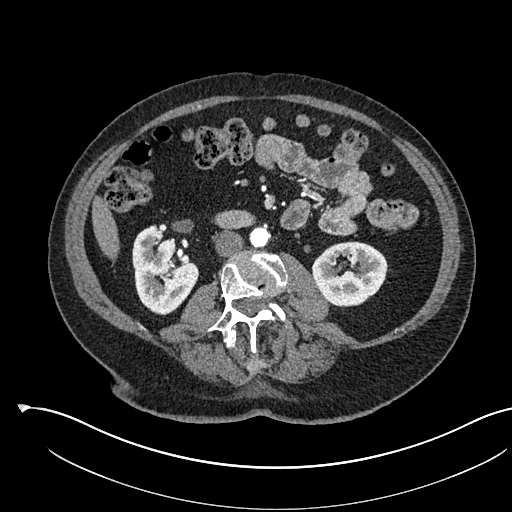
Abdominal CT with intravenous contrast, arterial phase, axial plane, 120 kVp, kernel I30f. Slice 271/541 from the bottom of the scan; thickness 1.00 mm; pixel size 0.834 mm.
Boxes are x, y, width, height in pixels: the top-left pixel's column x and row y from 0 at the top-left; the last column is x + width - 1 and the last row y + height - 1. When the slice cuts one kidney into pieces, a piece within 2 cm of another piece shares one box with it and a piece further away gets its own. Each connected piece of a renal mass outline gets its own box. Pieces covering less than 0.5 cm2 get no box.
Two kidney boxes on this slice; by box centre, from the image's left to its right: (1) Box x 132, y 225, width 67, height 91: right kidney (outlined area 4,184 px, about 29.1 cm2). (2) Box x 311, y 241, width 77, height 66: left kidney (outlined area 3,747 px, about 26.1 cm2). No renal mass outline on this slice.